Abdominal CT with intravenous contrast, axial plane, 100 kVp, kernel I40f. Slice 65/101 from the bottom of the scan; thickness 5.00 mm; pixel size 0.684 mm.
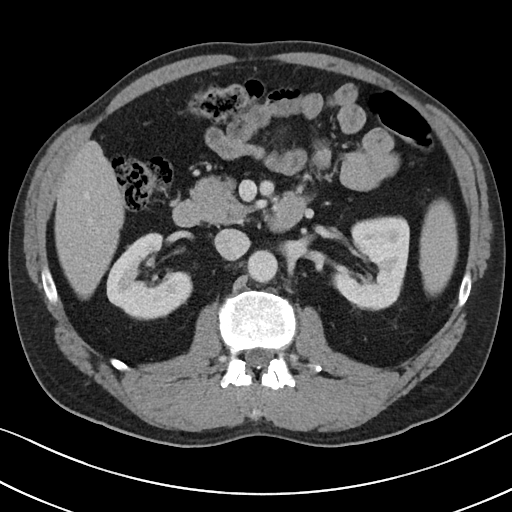
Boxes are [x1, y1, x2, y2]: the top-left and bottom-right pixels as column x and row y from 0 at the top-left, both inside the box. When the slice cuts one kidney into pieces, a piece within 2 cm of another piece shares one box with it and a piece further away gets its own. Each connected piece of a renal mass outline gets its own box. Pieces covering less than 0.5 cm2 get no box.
Two boxes on this slice (two kidney boxes), listed by box centre from the image's left to its right. (1) Box [106, 232, 192, 320]: right kidney (outlined area 4,654 px, about 21.7 cm2). (2) Box [331, 216, 409, 310]: left kidney (outlined area 5,187 px, about 24.2 cm2). No renal mass is outlined on this slice.